Abdominal CT with intravenous contrast, arterial phase, axial plane, 140 kVp, kernel B30f. Slice 116/159 from the bottom of the scan; thickness 3.00 mm; pixel size 0.977 mm.
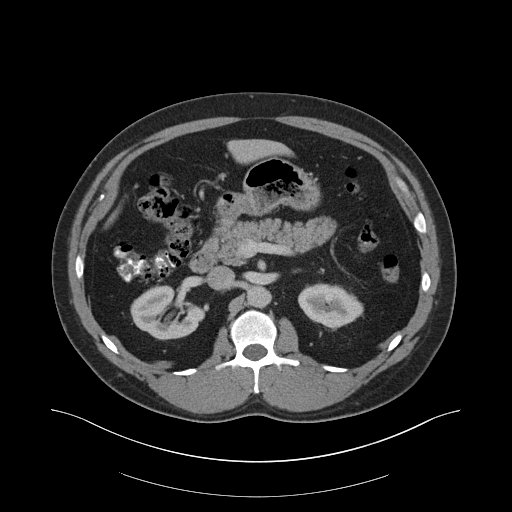
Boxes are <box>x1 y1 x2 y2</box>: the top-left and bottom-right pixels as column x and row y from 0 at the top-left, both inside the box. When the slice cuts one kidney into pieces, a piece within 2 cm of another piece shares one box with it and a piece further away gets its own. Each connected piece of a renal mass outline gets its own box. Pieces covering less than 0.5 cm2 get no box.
Boxed on this slice (two kidney boxes), listed by box centre from the image's left to its right: (1) Right kidney: <box>130 285 205 339</box> (outlined area 2,871 px, about 27.4 cm2). (2) Left kidney: <box>298 283 363 327</box> (outlined area 2,138 px, about 20.4 cm2). No renal mass is outlined on this slice.